Arterial-phase contrast-enhanced abdominal CT, axial slice 126 of 304 (counted from the lowest slice); tube voltage 100 kVp, convolution kernel I30f; slices 2.00 mm thick, 0.809 mm per pixel.
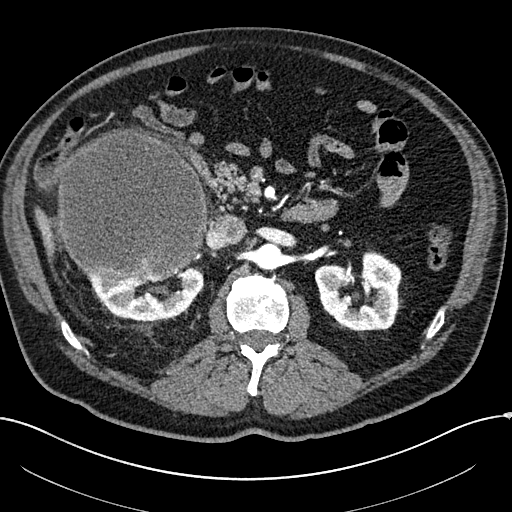
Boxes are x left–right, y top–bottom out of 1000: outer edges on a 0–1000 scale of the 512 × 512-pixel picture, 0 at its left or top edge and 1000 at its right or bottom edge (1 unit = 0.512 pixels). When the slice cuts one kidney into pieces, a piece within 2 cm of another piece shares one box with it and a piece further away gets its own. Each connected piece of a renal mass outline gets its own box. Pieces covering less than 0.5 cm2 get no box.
Two kidney boxes and one renal mass box on this slice; by box centre, from the image's left to its right: (1) Right renal mass, box x 111–406, y 250–553 out of 1000 (outlined area 18,989 px, about 124.2 cm2). (2) Right kidney at x 170–400, y 521–629 out of 1000 (outlined area 3,620 px, about 23.7 cm2). (3) Left kidney at x 615–785, y 488–648 out of 1000 (outlined area 4,909 px, about 32.1 cm2).